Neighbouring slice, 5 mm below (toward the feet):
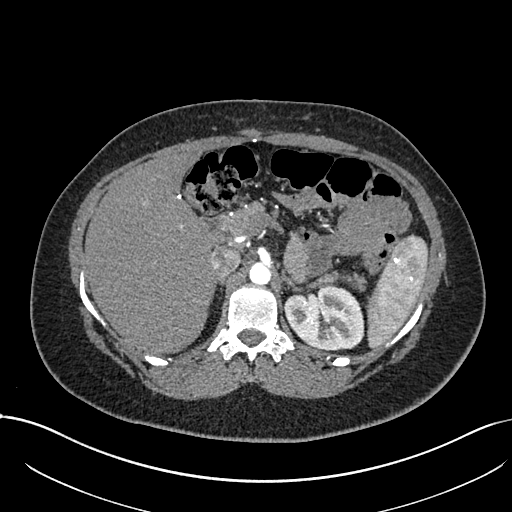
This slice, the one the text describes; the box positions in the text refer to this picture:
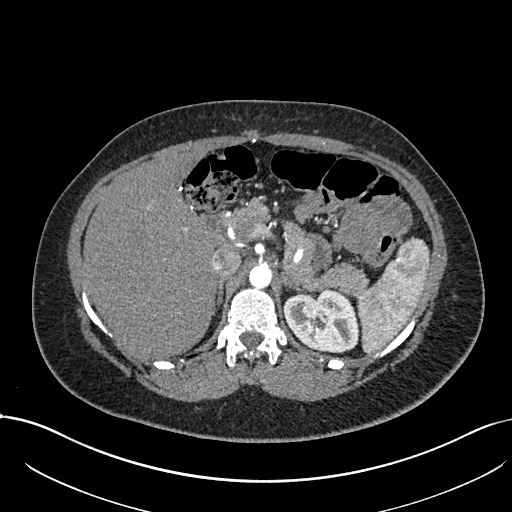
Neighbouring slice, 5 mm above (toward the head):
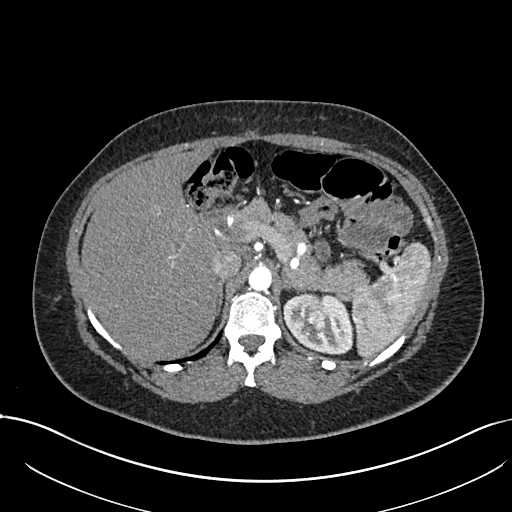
One axial slice (519 of 738, counting up from the lowest) of an arterial-phase abdominal CT acquired with 120 kVp, kernel I30f; each pixel is 0.789 mm and the slice is 1.00 mm thick.
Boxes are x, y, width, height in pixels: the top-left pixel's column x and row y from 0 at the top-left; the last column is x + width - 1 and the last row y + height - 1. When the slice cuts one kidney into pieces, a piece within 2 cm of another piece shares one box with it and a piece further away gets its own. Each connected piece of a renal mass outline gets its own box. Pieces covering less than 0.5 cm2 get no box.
Boxed on this slice (one kidney box and one renal mass box), listed by box centre from the image's left to its right: (1) Left renal mass, box x 307, y 302, width 14, height 11 (outlined area 124 px, about 0.8 cm2). (2) Left kidney, box x 283, y 289, width 77, height 64 (outlined area 3,642 px, about 22.7 cm2). This slice lies near the end of the left renal mass toward the feet; the slices 5 mm below and 5 mm above it are shown too, and the boxes mark positions on this slice only.